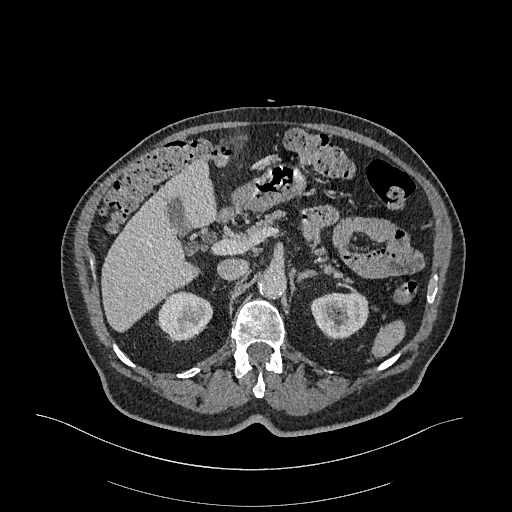
Axial slice 223 of 470 of a contrast-enhanced abdominal CT in the arterial phase (slice 1 is the lowest), 120 kVp, kernel I26f; 1.00 mm slice thickness and 0.938 mm pixels.
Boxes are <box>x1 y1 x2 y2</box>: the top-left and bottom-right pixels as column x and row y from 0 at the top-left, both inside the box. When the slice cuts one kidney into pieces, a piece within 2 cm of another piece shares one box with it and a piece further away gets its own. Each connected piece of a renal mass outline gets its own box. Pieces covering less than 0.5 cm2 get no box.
Boxed on this slice (two kidney boxes), listed by box centre from the image's left to its right: (1) Right kidney: <box>158 291 213 340</box> (outlined area 2,074 px, about 18.2 cm2). (2) Left kidney at <box>310 292 368 339</box> (outlined area 2,204 px, about 19.4 cm2). No renal mass outline on this slice.